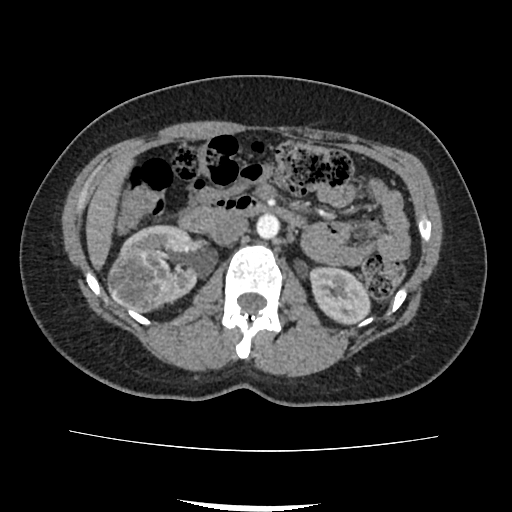
One axial slice (47 of 103, counting up from the lowest) of a contrast-enhanced abdominal CT acquired with 120 kVp, kernel FC18; each pixel is 0.714 mm and the slice is 3.00 mm thick.
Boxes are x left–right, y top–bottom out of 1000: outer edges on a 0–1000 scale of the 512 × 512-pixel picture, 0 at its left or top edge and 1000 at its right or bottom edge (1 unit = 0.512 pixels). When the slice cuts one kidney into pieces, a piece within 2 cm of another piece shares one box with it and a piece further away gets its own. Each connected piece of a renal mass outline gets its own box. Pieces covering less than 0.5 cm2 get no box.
Two kidney boxes and one renal mass box on this slice; by box centre, from the image's left to its right: (1) Right renal mass at x 209–336, y 486–613 out of 1000 (outlined area 3,283 px, about 16.7 cm2). (2) Box x 234–389, y 438–592 out of 1000: right kidney (outlined area 2,805 px, about 14.3 cm2). (3) Left kidney at x 605–725, y 520–635 out of 1000 (outlined area 2,696 px, about 13.7 cm2).